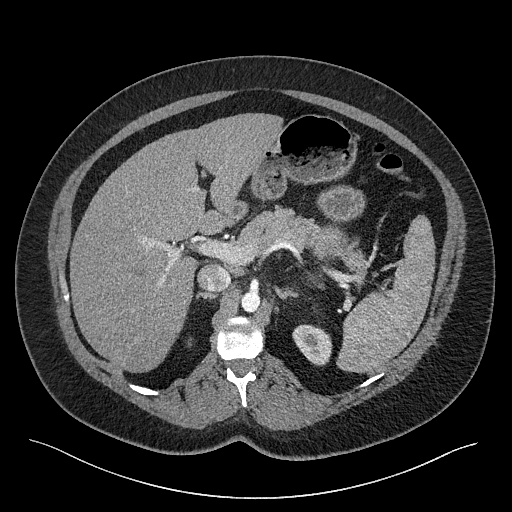
Contrast-enhanced abdominal CT, axial slice 174 of 301 (counted from the lowest slice); tube voltage 120 kVp, convolution kernel I40f; slices 2.00 mm thick, 0.859 mm per pixel.
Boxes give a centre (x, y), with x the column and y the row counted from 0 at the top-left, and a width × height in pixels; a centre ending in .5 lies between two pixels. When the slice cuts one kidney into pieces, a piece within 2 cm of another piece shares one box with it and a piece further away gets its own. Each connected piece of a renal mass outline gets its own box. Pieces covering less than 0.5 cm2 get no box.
Box centre (312, 344.5), 41 × 42 pixels: left kidney (outlined area 1,215 px, about 9.0 cm2). This slice carries no renal mass outline.